Abdominal CT with intravenous contrast, arterial phase, axial plane, 120 kVp, kernel STANDARD. Slice 98/233 from the bottom of the scan; thickness 1.25 mm; pixel size 0.703 mm.
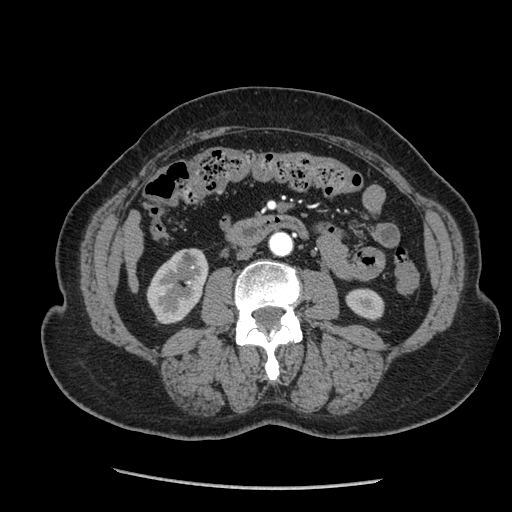
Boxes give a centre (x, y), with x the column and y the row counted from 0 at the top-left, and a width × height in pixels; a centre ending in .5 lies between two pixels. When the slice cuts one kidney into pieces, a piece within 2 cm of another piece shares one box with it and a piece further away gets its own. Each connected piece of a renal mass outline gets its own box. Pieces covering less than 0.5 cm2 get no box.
Two boxes on this slice (two kidney boxes), listed by box centre from the image's left to its right. (1) Box centre (177, 286), 63 × 77 pixels: right kidney (outlined area 3,349 px, about 16.6 cm2). (2) Box centre (364.5, 304), 40 × 33 pixels: left kidney (outlined area 973 px, about 4.8 cm2). No renal mass is outlined on this slice.